Abdominal CT with intravenous contrast, arterial phase, axial plane, 120 kVp, kernel B31f. Slice 103/285 from the bottom of the scan; thickness 2.00 mm; pixel size 0.762 mm.
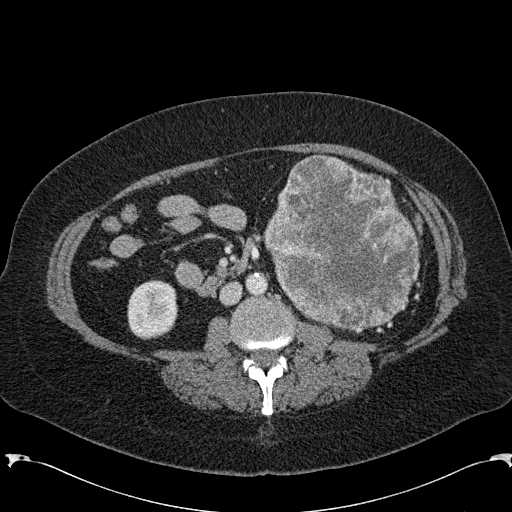
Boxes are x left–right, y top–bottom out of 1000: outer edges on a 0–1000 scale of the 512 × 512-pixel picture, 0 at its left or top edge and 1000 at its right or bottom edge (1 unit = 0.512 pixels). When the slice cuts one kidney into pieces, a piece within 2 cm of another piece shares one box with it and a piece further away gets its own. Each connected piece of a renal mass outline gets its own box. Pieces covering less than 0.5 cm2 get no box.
Two boxes on this slice (one kidney box and one renal mass box), listed by box centre from the image's left to its right. (1) Box x 248–348, y 545–664 out of 1000: right kidney (outlined area 2,476 px, about 14.4 cm2). (2) Left renal mass, box x 512–822, y 301–650 out of 1000 (outlined area 20,427 px, about 118.5 cm2); here it is more than 1 cm from any kidney outline, though on another slice the same outlined renal mass lies within 1 cm of the kidney.